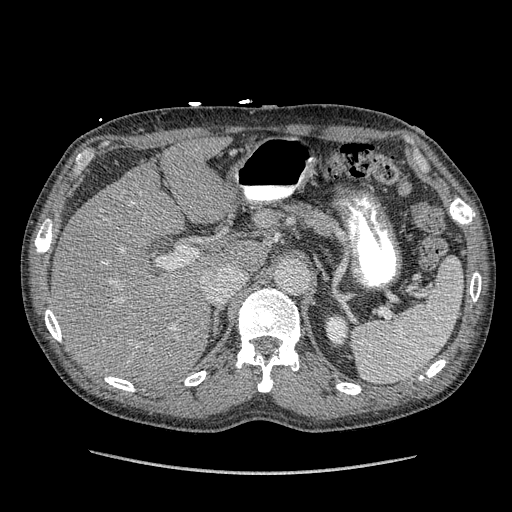
One axial slice (261 of 349, counting up from the lowest) of an arterial-phase abdominal CT acquired with 120 kVp, kernel STANDARD; each pixel is 0.742 mm and the slice is 1.25 mm thick.
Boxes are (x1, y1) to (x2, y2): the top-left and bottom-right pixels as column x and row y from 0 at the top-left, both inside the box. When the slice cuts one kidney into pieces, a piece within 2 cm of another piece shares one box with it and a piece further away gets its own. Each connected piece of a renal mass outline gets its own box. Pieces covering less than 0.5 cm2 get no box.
Box (325, 314) to (349, 347): left kidney (outlined area 690 px, about 3.8 cm2). No renal mass outline on this slice.